Contrast-enhanced abdominal CT, axial slice 53 of 103 (counted from the lowest slice); tube voltage 100 kVp, convolution kernel I41f; slices 4.00 mm thick, 0.742 mm per pixel.
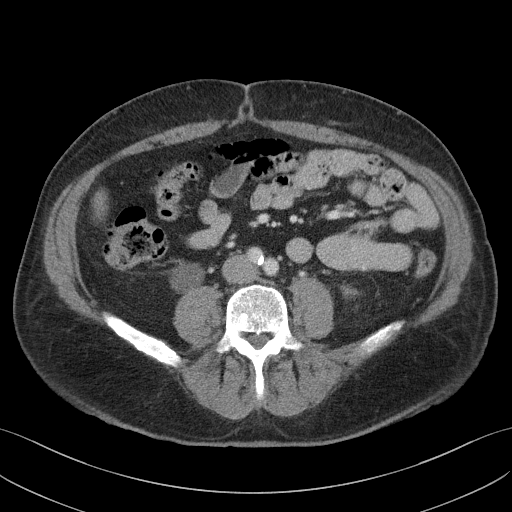
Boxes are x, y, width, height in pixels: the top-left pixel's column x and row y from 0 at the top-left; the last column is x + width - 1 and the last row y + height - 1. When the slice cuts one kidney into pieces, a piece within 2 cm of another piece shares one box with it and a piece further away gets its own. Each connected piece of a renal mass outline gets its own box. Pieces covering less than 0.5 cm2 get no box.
Right kidney, box x 169, y 262, width 36, height 31 (outlined area 841 px, about 4.6 cm2). No renal mass is outlined on this slice.